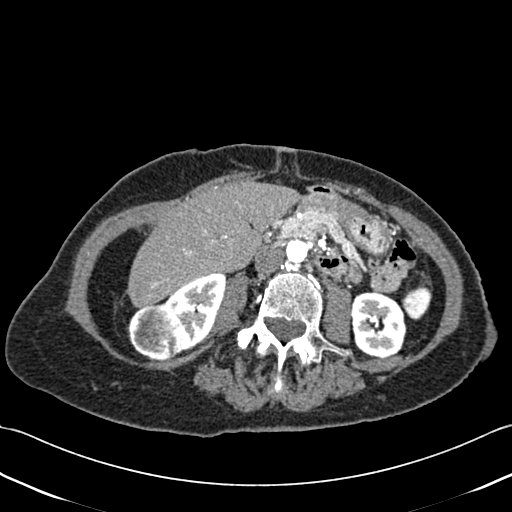
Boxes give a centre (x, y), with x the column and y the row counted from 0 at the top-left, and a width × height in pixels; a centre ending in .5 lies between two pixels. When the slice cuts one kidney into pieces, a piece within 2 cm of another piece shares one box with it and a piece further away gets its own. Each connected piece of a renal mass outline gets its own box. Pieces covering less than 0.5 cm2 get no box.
Slice 202/433 of a contrast-enhanced abdominal CT, counting up from the lowest; pixel size 0.672 mm, slice thickness 1.00 mm. Two kidney boxes and one renal mass box on this slice; by box centre, from the image's left to its right: (1) Box centre (154, 332), 55 × 57 pixels: right renal mass (outlined area 2,389 px, about 10.8 cm2). (2) Right kidney, box centre (192, 312.5), 67 × 80 pixels (outlined area 2,944 px, about 13.3 cm2). (3) Left kidney, box centre (378.5, 325), 56 × 67 pixels (outlined area 3,034 px, about 13.7 cm2).
Acquired at 120 kVp and reconstructed with the B30f kernel.